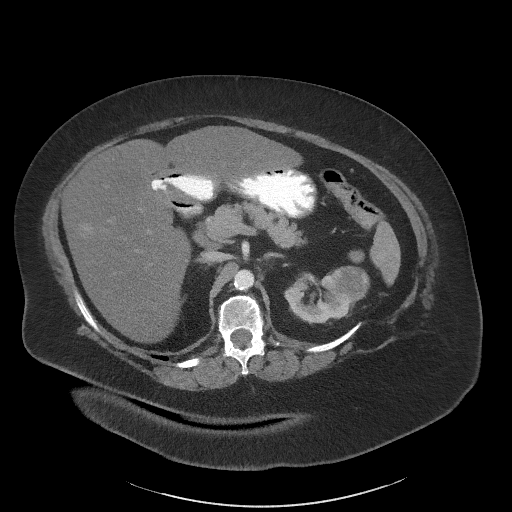
Abdominal CT with intravenous contrast, arterial phase, axial plane, 140 kVp, kernel I41f. Slice 44/61 from the bottom of the scan; thickness 3.00 mm; pixel size 0.947 mm.
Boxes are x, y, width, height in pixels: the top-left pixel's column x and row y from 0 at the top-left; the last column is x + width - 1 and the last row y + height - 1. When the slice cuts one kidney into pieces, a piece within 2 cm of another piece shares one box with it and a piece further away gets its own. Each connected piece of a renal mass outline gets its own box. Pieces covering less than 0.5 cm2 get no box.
One kidney box and one renal mass box on this slice; by box centre, from the image's left to its right: (1) Left kidney, box x 284, y 275, width 65, height 50 (outlined area 1,931 px, about 17.3 cm2). (2) Box x 326, y 265, width 44, height 49: left renal mass (outlined area 1,460 px, about 13.1 cm2).